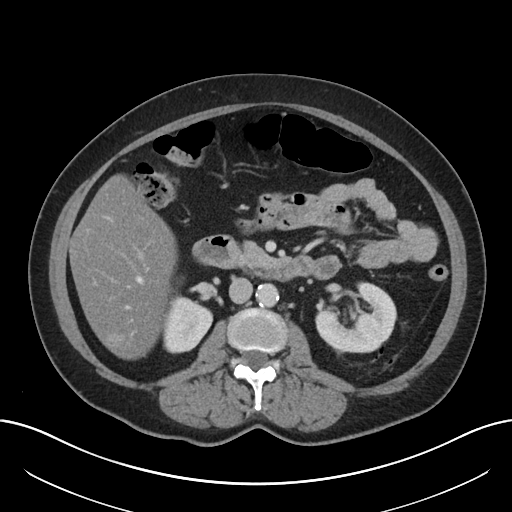
Abdominal CT with intravenous contrast, axial plane, 120 kVp, kernel I30f. Slice 115/197 from the bottom of the scan; thickness 5.00 mm; pixel size 0.791 mm.
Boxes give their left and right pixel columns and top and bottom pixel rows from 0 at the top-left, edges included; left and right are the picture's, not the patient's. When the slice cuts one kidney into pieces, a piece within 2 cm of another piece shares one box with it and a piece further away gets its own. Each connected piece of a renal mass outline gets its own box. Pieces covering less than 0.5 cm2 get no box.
Two kidney boxes on this slice; by box centre, from the image's left to its right: (1) Right kidney in the box with left 162, top 286, right 213, bottom 353 (outlined area 2,268 px, about 14.2 cm2). (2) Box with left 315, top 281, right 396, bottom 355: left kidney (outlined area 4,133 px, about 25.9 cm2). No renal mass outline on this slice.